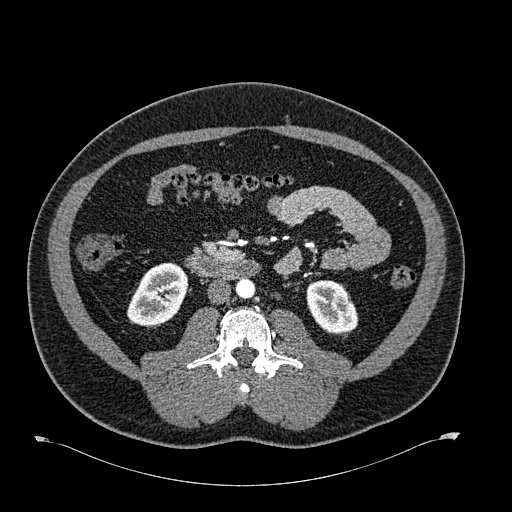
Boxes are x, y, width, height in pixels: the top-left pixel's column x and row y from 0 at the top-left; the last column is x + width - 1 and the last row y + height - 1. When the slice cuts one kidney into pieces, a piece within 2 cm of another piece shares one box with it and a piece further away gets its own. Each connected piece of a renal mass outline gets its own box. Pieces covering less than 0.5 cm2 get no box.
Arterial-phase contrast-enhanced abdominal CT, axial slice 305 of 723 (counted from the lowest slice); 1.00 mm thick, 0.895 mm per pixel. Two kidney boxes on this slice; by box centre, from the image's left to its right: (1) Right kidney at x 127, y 262, width 62, height 66 (outlined area 2,856 px, about 22.9 cm2). (2) Left kidney, box x 306, y 280, width 53, height 56 (outlined area 2,183 px, about 17.5 cm2). This slice carries no renal mass outline.
Scan settings: 120 kVp, B30f reconstruction kernel.